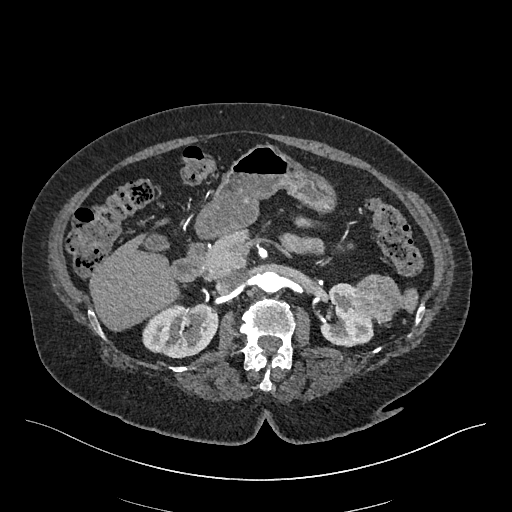
Abdominal CT with intravenous contrast, arterial phase, axial plane, 120 kVp, kernel I26f. Slice 275/548 from the bottom of the scan; thickness 1.00 mm; pixel size 0.852 mm.
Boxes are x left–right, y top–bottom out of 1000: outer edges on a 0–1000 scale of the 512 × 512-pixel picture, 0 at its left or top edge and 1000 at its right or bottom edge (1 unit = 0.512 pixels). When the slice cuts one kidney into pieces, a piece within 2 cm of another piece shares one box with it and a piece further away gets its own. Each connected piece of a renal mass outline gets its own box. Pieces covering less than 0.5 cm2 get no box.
Two kidney boxes and one renal mass box on this slice; by box centre, from the image's left to its right: (1) Right kidney at x 277–428, y 590–701 out of 1000 (outlined area 3,288 px, about 23.8 cm2). (2) Left kidney at x 623–730, y 553–680 out of 1000 (outlined area 2,225 px, about 16.1 cm2). (3) Left renal mass at x 688–785, y 535–637 out of 1000 (outlined area 1,906 px, about 13.8 cm2).